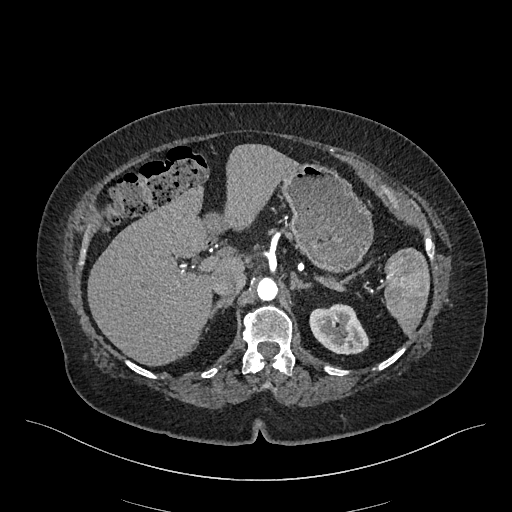
One axial slice (332 of 548, counting up from the lowest) of an arterial-phase abdominal CT acquired with 120 kVp, kernel I26f; each pixel is 0.852 mm and the slice is 1.00 mm thick.
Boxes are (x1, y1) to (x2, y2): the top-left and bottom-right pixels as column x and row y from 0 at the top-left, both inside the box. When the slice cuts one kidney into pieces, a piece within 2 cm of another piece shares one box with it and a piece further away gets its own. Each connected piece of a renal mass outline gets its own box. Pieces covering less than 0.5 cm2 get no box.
Left kidney from (309, 303) to (369, 354) (outlined area 2,273 px, about 16.5 cm2). No renal mass outline on this slice.